Arterial-phase contrast-enhanced abdominal CT, axial slice 35 of 234 (counted from the lowest slice); tube voltage 100 kVp, convolution kernel I40f; slices 2.00 mm thick, 0.699 mm per pixel.
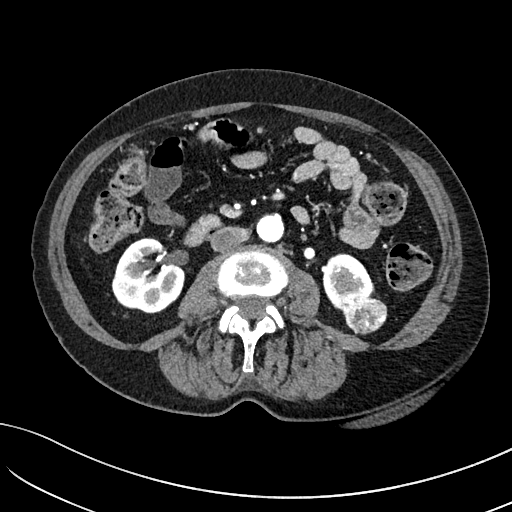
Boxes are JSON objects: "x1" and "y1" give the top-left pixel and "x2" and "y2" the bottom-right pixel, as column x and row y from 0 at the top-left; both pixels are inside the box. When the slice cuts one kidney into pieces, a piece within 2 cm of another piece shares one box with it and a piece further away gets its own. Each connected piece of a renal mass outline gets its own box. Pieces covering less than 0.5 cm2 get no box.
Two kidney boxes and one renal mass box on this slice; by box centre, from the image's left to its right: (1) Box {"x1": 111, "y1": 237, "x2": 185, "y2": 313}: right kidney (outlined area 4,057 px, about 19.8 cm2). (2) Box {"x1": 322, "y1": 253, "x2": 374, "y2": 309}: left kidney (outlined area 1,830 px, about 8.9 cm2). (3) Box {"x1": 339, "y1": 291, "x2": 387, "y2": 334}: left renal mass (outlined area 1,524 px, about 7.5 cm2).